Axial slice 553 of 673 of a contrast-enhanced abdominal CT in the arterial phase (slice 1 is the lowest), 140 kVp, kernel I30f; 1.00 mm slice thickness and 0.957 mm pixels.
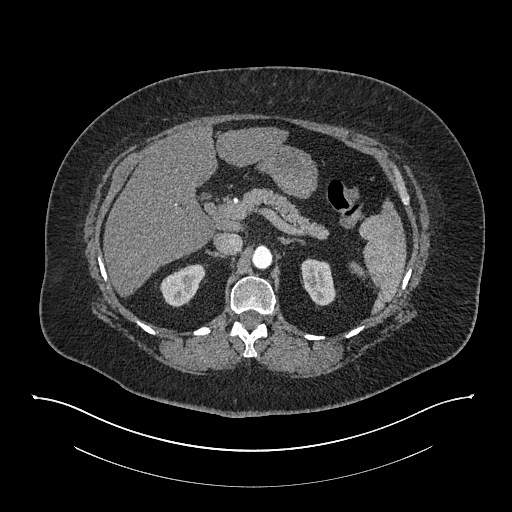
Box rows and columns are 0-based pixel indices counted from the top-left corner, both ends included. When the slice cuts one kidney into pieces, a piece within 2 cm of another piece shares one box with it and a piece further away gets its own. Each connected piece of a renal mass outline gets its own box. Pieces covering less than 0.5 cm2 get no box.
Two kidney boxes on this slice; by box centre, from the image's left to its right: (1) Right kidney, box rows 264–307, columns 160–205 (outlined area 1,335 px, about 12.2 cm2). (2) Left kidney, box rows 258–305, columns 301–335 (outlined area 1,274 px, about 11.7 cm2). This slice carries no renal mass outline.